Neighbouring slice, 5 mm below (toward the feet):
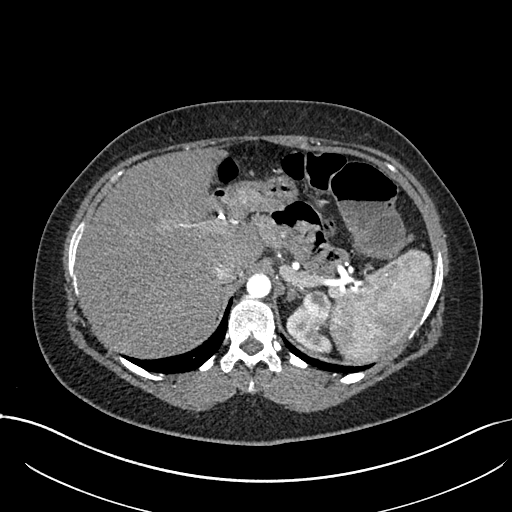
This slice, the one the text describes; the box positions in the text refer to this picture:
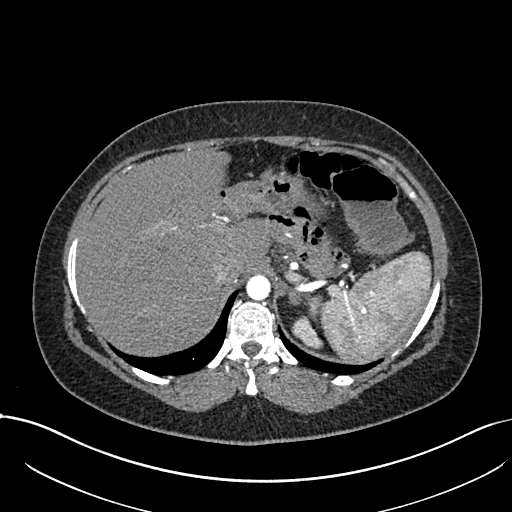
Arterial-phase contrast-enhanced abdominal CT, axial slice 574 of 738 (counted from the lowest slice); tube voltage 120 kVp, convolution kernel I30f; slices 1.00 mm thick, 0.789 mm per pixel.
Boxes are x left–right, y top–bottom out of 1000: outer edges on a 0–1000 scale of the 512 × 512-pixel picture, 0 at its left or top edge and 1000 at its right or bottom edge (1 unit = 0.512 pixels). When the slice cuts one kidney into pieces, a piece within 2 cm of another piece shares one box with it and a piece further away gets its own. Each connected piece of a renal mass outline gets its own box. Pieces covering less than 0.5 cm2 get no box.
Two boxes on this slice (one kidney box and one renal mass box), listed by box centre from the image's left to its right. (1) Left kidney, box x 568–631, y 617–684 out of 1000 (outlined area 609 px, about 3.8 cm2). (2) Box x 596–633, y 576–625 out of 1000: left renal mass (outlined area 308 px, about 1.9 cm2). This slice is near the end of the left renal mass toward the head, so the slice 5 mm below it is shown as well; the boxes refer to this slice only.